Axial slice 346 of 439 of a contrast-enhanced abdominal CT (slice 1 is the lowest), 100 kVp, kernel I40f; 2.00 mm slice thickness and 0.850 mm pixels.
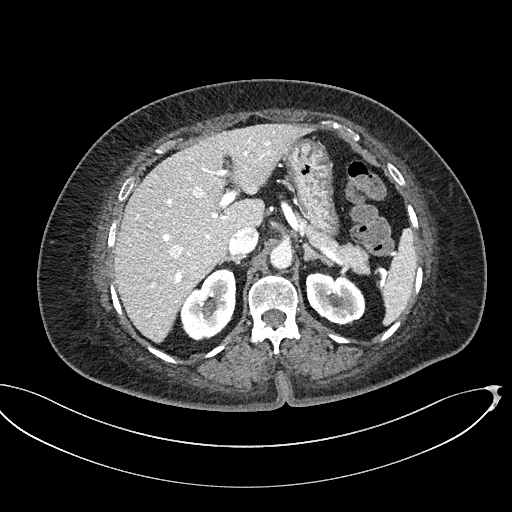
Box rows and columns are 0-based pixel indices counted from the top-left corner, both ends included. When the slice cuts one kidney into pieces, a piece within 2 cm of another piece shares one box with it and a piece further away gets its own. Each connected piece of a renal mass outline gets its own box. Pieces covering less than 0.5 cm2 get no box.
Boxed on this slice (two kidney boxes), listed by box centre from the image's left to its right: (1) Right kidney, box rows 268–340, columns 180–236 (outlined area 2,929 px, about 21.1 cm2). (2) Left kidney, box rows 272–325, columns 305–365 (outlined area 2,389 px, about 17.2 cm2). No renal mass outline on this slice.